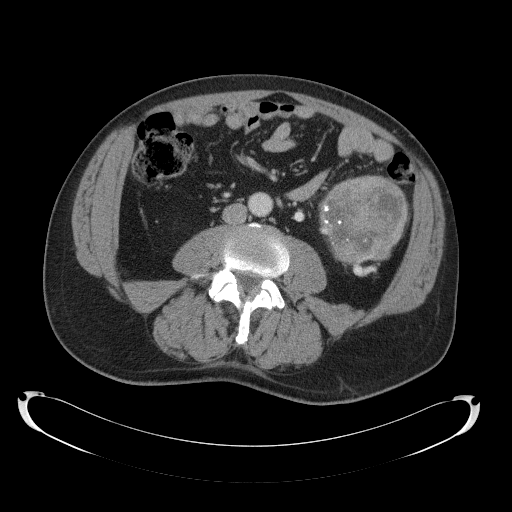
One axial slice (56 of 145, counting up from the lowest) of a contrast-enhanced abdominal CT acquired with 120 kVp, kernel B41f; each pixel is 0.859 mm and the slice is 5.00 mm thick.
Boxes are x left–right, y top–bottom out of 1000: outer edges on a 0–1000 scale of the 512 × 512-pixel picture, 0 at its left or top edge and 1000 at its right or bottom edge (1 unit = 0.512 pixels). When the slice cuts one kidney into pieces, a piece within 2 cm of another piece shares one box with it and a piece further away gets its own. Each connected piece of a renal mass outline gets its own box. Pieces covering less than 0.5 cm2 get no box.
Box x 621–801, y 342–541 out of 1000: left renal mass (outlined area 6,736 px, about 49.7 cm2); this slice has no kidney outline, though on another slice the same outlined renal mass lies within 1 cm of the kidney.